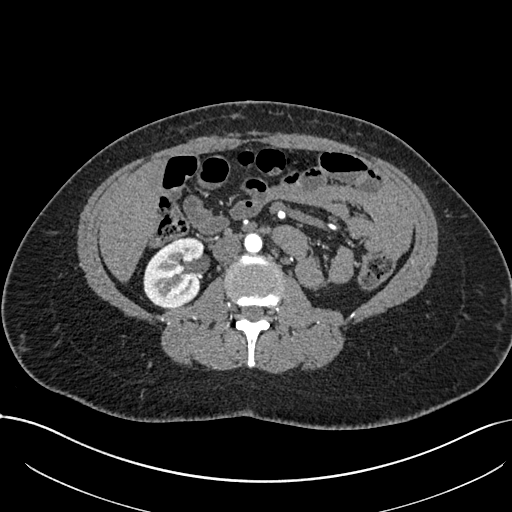
Abdominal CT with intravenous contrast, arterial phase, axial plane, 120 kVp, kernel I30f. Slice 378/738 from the bottom of the scan; thickness 1.00 mm; pixel size 0.789 mm.
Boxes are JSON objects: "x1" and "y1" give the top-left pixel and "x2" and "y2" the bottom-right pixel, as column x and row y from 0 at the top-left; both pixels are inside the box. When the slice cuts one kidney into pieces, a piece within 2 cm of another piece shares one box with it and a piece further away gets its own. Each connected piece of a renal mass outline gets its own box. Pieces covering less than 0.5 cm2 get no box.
Box {"x1": 143, "y1": 237, "x2": 203, "y2": 308}: right kidney (outlined area 3,389 px, about 21.1 cm2). This slice carries no renal mass outline.